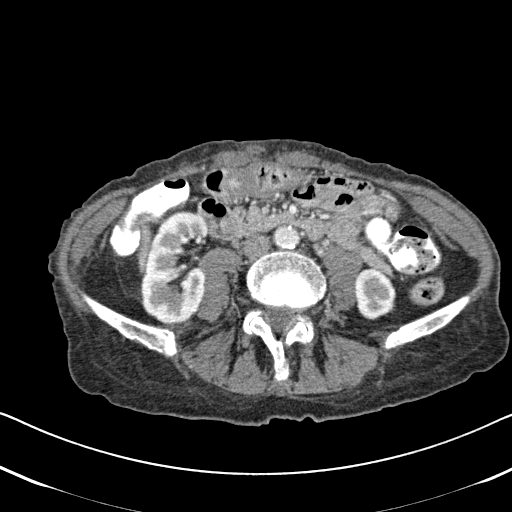
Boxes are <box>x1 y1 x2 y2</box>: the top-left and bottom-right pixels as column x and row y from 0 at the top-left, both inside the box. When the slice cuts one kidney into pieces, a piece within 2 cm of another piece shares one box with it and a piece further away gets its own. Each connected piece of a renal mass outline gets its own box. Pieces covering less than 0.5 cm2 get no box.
Slice 245/620 of a contrast-enhanced abdominal CT in the arterial phase, counting up from the lowest; pixel size 0.637 mm, slice thickness 2.00 mm. Two boxes on this slice (two kidney boxes), listed by box centre from the image's left to its right. (1) At <box>138 210 209 325</box>: right kidney (outlined area 6,068 px, about 24.6 cm2). (2) Left kidney: <box>354 267 395 319</box> (outlined area 1,733 px, about 7.0 cm2). This slice carries no renal mass outline.
Acquired at 120 kVp and reconstructed with the B31f kernel.